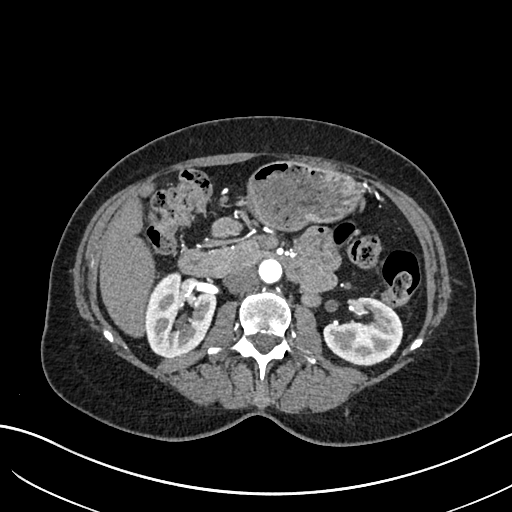
Abdominal CT with intravenous contrast, arterial phase, axial plane, 120 kVp, kernel I30f. Slice 369/683 from the bottom of the scan; thickness 1.00 mm; pixel size 0.738 mm.
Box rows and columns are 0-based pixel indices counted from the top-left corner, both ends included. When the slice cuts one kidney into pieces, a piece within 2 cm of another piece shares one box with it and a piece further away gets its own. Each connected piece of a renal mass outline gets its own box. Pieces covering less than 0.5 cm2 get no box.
Boxed on this slice (two kidney boxes), listed by box centre from the image's left to its right: (1) Box rows 272–357, columns 144–216: right kidney (outlined area 4,525 px, about 24.7 cm2). (2) Left kidney at rows 296–366, columns 323–403 (outlined area 3,731 px, about 20.3 cm2). No renal mass is outlined on this slice.